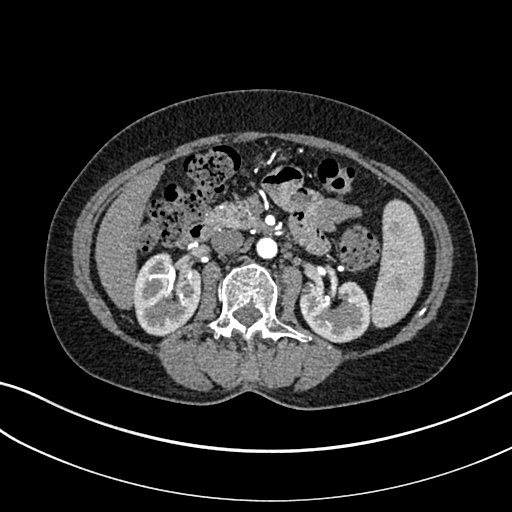
Arterial-phase contrast-enhanced abdominal CT, axial slice 163 of 325 (counted from the lowest slice); tube voltage 100 kVp, convolution kernel I30f; slices 1.00 mm thick, 0.703 mm per pixel.
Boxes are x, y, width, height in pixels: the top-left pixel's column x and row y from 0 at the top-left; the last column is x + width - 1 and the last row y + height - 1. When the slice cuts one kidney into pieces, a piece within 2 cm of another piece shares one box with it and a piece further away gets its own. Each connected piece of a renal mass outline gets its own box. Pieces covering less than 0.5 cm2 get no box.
Two boxes on this slice (two kidney boxes), listed by box centre from the image's left to its right. (1) Right kidney, box x 133, y 252, width 69, height 85 (outlined area 4,406 px, about 21.8 cm2). (2) Box x 299, y 280, width 72, height 64: left kidney (outlined area 3,534 px, about 17.5 cm2). No renal mass outline on this slice.